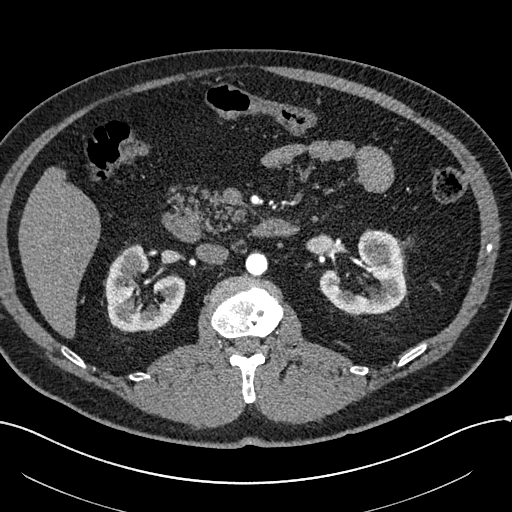
Axial slice 348 of 602 of a contrast-enhanced abdominal CT in the arterial phase (slice 1 is the lowest), 120 kVp, kernel I30f; 1.00 mm slice thickness and 0.799 mm pixels.
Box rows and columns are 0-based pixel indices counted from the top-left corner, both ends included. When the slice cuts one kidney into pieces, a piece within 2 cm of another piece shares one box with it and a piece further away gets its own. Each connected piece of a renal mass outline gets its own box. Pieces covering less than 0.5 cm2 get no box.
Two kidney boxes and one renal mass box on this slice; by box centre, from the image's left to its right: (1) Right renal mass at rows 252–276, columns 120–140 (outlined area 417 px, about 2.7 cm2). (2) Right kidney at rows 243–332, columns 105–184 (outlined area 4,201 px, about 26.8 cm2). (3) Left kidney, box rows 229–314, columns 319–406 (outlined area 4,503 px, about 28.7 cm2).